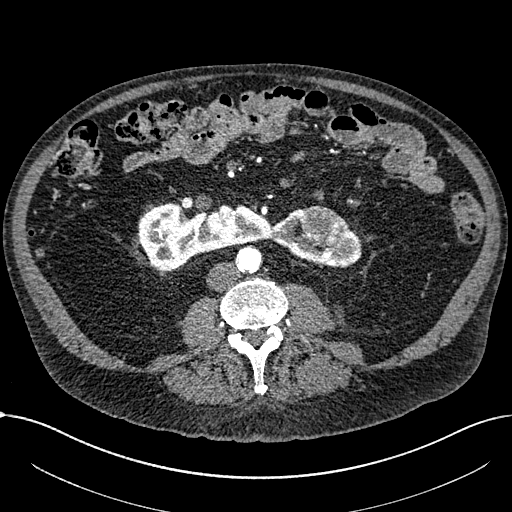
Axial slice 304 of 1059 of a contrast-enhanced abdominal CT in the arterial phase (slice 1 is the lowest), 100 kVp, kernel I30f; 1.00 mm slice thickness and 0.811 mm pixels.
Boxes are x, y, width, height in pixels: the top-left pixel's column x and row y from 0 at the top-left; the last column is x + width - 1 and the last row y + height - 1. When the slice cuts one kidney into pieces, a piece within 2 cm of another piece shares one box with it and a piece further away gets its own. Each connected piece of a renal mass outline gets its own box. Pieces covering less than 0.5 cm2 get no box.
One kidney box and one renal mass box on this slice; by box centre, from the image's left to its right: (1) Kidney crossing the body midline at x 138, y 202, width 224, height 69 (outlined area 8,509 px, about 55.9 cm2). (2) Box x 300, y 205, width 47, height 42: renal mass (outlined area 1,487 px, about 9.8 cm2).